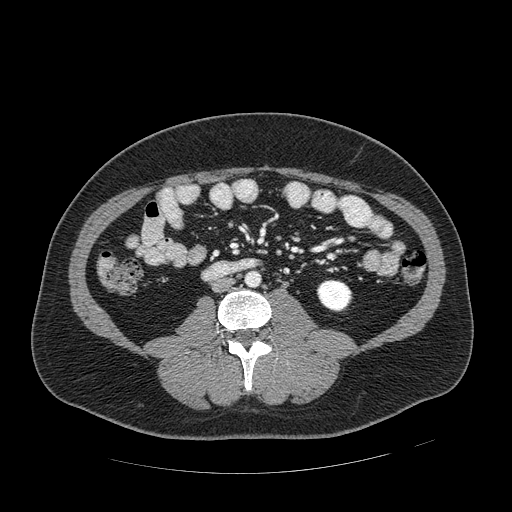
Axial slice 215 of 389 of a contrast-enhanced abdominal CT in the arterial phase (slice 1 is the lowest), 120 kVp, kernel STANDARD; 1.25 mm slice thickness and 0.869 mm pixels.
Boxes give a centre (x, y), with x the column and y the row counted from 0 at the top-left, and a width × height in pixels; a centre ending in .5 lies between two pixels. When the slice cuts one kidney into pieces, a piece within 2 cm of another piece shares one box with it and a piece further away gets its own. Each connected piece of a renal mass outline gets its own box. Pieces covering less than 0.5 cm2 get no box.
Left kidney, box centre (334, 295.5), 37 × 34 pixels (outlined area 925 px, about 7.0 cm2). This slice carries no renal mass outline.